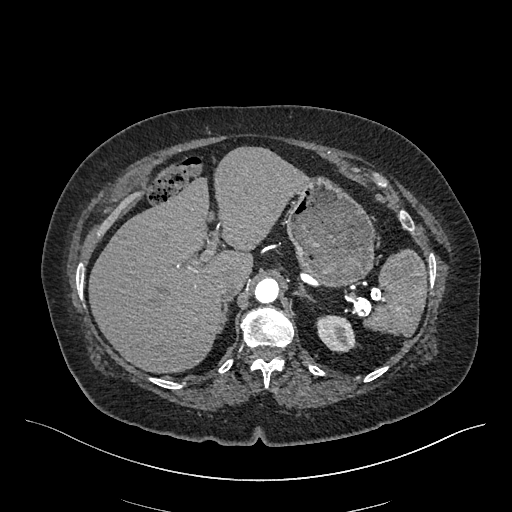
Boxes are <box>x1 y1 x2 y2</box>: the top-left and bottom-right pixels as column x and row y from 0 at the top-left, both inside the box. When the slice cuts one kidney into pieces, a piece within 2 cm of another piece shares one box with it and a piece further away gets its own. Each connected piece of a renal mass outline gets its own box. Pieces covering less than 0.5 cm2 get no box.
Arterial-phase contrast-enhanced abdominal CT, axial slice 358 of 548 (counted from the lowest slice); 1.00 mm thick, 0.852 mm per pixel. Left kidney at <box>316 315 356 352</box> (outlined area 1,162 px, about 8.4 cm2). No renal mass outline on this slice.
Tube voltage 120 kVp; convolution kernel I26f.